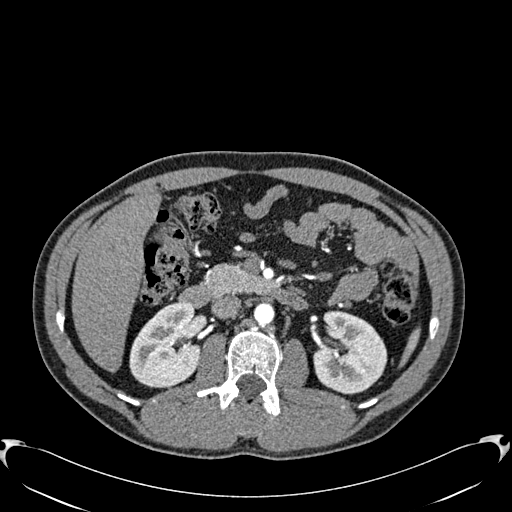
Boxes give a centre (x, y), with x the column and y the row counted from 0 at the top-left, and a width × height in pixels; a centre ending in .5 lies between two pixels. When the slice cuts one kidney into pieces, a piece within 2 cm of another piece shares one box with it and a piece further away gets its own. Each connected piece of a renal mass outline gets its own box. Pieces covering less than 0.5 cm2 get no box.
This is axial slice 357 of 512 (slice 1 is the lowest) of an arterial-phase abdominal CT with contrast; each pixel is 0.771 mm and the slice is 1.00 mm thick. Two kidney boxes on this slice; by box centre, from the image's left to its right: (1) Right kidney, box centre (164.5, 344.5), 72 × 86 pixels (outlined area 4,606 px, about 27.4 cm2). (2) Left kidney, box centre (350, 352), 75 × 85 pixels (outlined area 4,700 px, about 28.0 cm2). No renal mass outline on this slice.
Acquired at 120 kVp and reconstructed with the B30f kernel.